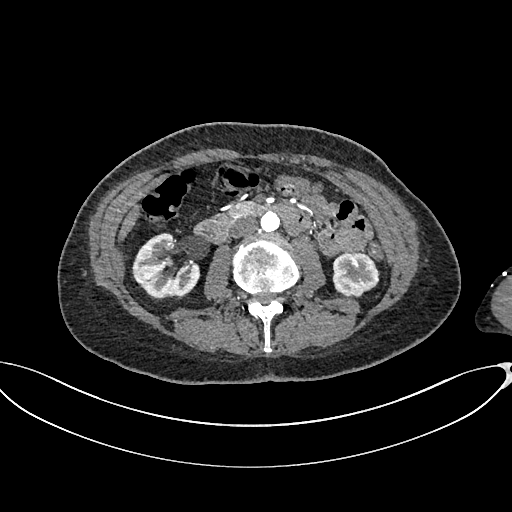
One axial slice (347 of 665, counting up from the lowest) of an arterial-phase abdominal CT acquired with 100 kVp, kernel I26f; each pixel is 0.828 mm and the slice is 1.00 mm thick.
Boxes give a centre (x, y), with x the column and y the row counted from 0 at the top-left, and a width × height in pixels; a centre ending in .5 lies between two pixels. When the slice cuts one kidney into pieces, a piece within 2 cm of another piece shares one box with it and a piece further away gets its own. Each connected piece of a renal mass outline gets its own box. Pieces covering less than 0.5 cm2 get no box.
Two kidney boxes on this slice; by box centre, from the image's left to its right: (1) Box centre (166, 265.5), 69 × 68 pixels: right kidney (outlined area 3,140 px, about 21.5 cm2). (2) Left kidney, box centre (355, 274), 47 × 45 pixels (outlined area 1,697 px, about 11.6 cm2). No renal mass outline on this slice.